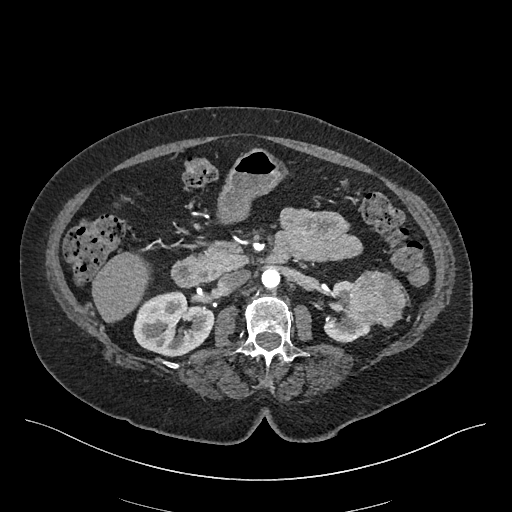
One axial slice (257 of 548, counting up from the lowest) of an arterial-phase abdominal CT acquired with 120 kVp, kernel I26f; each pixel is 0.852 mm and the slice is 1.00 mm thick.
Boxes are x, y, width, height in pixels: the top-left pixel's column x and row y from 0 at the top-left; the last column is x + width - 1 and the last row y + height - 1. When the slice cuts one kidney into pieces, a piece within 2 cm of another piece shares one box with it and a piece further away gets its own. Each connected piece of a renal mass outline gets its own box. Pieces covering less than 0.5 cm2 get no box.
Two kidney boxes and one renal mass box on this slice; by box centre, from the image's left to its right: (1) Box x 133, y 290, width 81, height 67: right kidney (outlined area 3,958 px, about 28.7 cm2). (2) Box x 323, y 280, width 48, height 64: left kidney (outlined area 1,452 px, about 10.5 cm2). (3) Left renal mass at x 344, y 270, width 62, height 59 (outlined area 2,733 px, about 19.8 cm2).